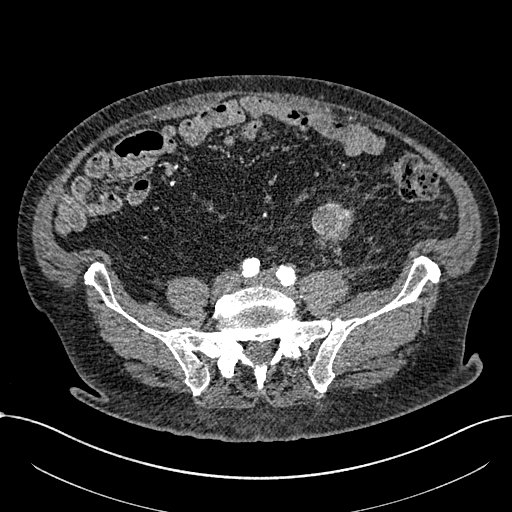
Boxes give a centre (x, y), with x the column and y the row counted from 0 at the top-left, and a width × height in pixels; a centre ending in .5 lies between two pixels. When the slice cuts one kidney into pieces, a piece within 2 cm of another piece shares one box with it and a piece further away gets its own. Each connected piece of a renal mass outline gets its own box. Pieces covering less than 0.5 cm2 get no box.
Arterial-phase contrast-enhanced abdominal CT, axial slice 164 of 1059 (counted from the lowest slice); 1.00 mm thick, 0.811 mm per pixel. Box centre (332.5, 226), 44 × 49 pixels: renal mass (outlined area 1,451 px, about 9.5 cm2); this slice has no kidney outline, though on another slice the same outlined renal mass lies within 1 cm of the kidney.
Acquired at 100 kVp and reconstructed with the I30f kernel.